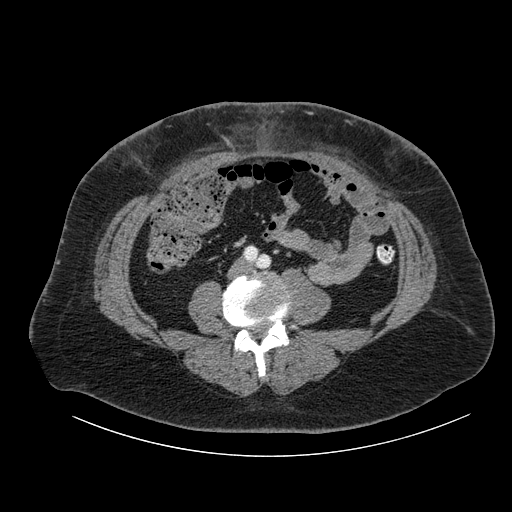
Contrast-enhanced abdominal CT, axial slice 20 of 105 (counted from the lowest slice); tube voltage 120 kVp, convolution kernel B; slices 3.00 mm thick, 0.977 mm per pixel.
No kidney and no renal mass is outlined on this slice; the outlines in this scan cover only the kidneys and the renal masses, so nothing is said about any other organ.